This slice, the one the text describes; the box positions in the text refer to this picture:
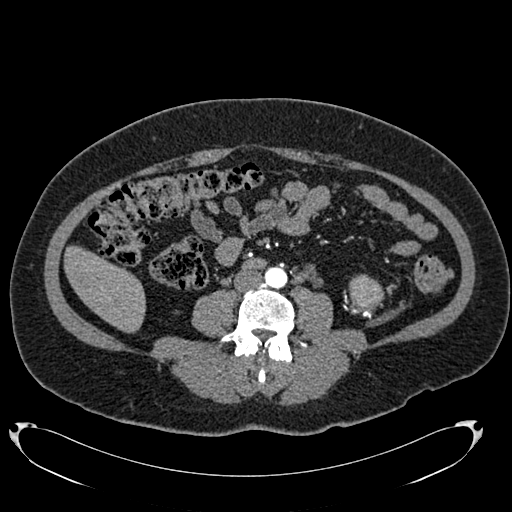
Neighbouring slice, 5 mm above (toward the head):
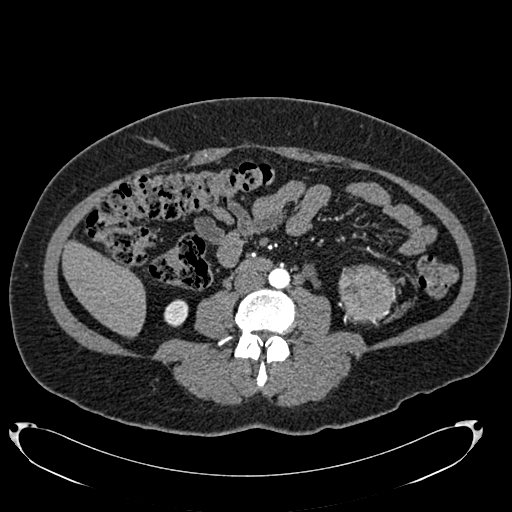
One axial slice (311 of 634, counting up from the lowest) of an arterial-phase abdominal CT acquired with 120 kVp, kernel B20f; each pixel is 0.838 mm and the slice is 1.00 mm thick.
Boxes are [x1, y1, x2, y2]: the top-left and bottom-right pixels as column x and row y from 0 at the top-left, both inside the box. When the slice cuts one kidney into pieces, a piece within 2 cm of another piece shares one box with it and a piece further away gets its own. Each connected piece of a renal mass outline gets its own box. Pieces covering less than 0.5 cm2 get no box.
Left renal mass, box [349, 274, 384, 311] (outlined area 1,018 px, about 7.1 cm2); this slice has no kidney outline, though on another slice the same outlined renal mass lies within 1 cm of the kidney. This slice lies near the end of the left renal mass toward the feet; the slice 5 mm above it is shown too, and the boxes mark positions on this slice only.